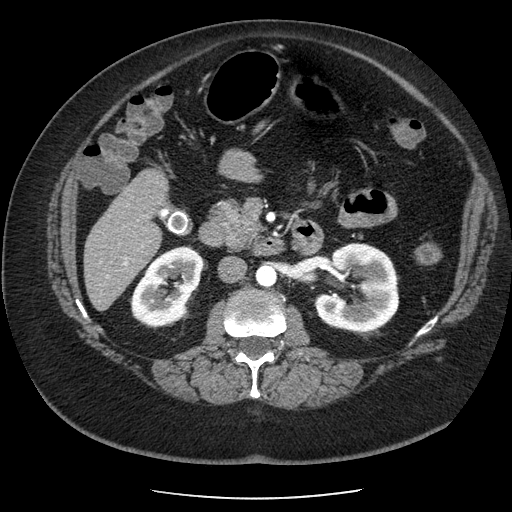
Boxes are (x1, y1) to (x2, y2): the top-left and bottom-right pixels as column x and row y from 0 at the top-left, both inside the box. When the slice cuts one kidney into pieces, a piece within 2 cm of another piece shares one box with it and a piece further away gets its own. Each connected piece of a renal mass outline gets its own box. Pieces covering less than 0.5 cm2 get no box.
Arterial-phase contrast-enhanced abdominal CT, axial slice 121 of 186 (counted from the lowest slice); 2.50 mm thick, 0.742 mm per pixel. Boxed on this slice (two kidney boxes), listed by box centre from the image's left to its right: (1) Box (131, 246) to (203, 327): right kidney (outlined area 4,034 px, about 22.2 cm2). (2) Box (312, 243) to (399, 332): left kidney (outlined area 5,731 px, about 31.6 cm2). No renal mass is outlined on this slice.
Tube voltage 120 kVp; convolution kernel STANDARD.